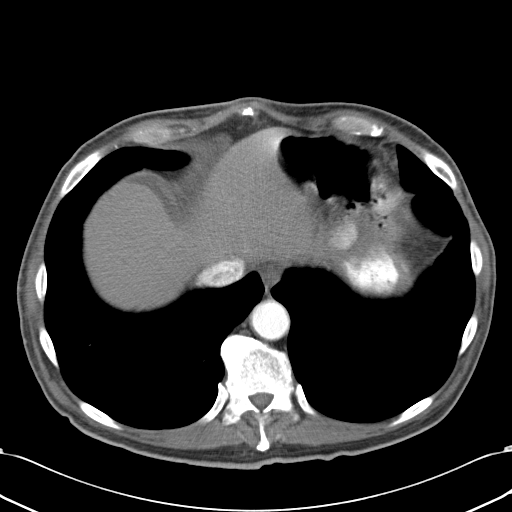
Abdominal CT with intravenous contrast, axial plane, 120 kVp, kernel B31f. Slice 35/43 from the bottom of the scan; thickness 5.00 mm; pixel size 0.701 mm.
This slice carries no outline: it lies beyond the outlined kidneys and beyond every outlined renal mass. Other organs are not outlined in this scan.